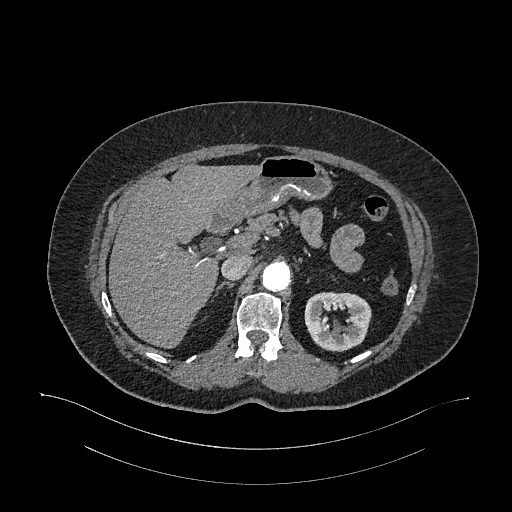
Abdominal CT with intravenous contrast, arterial phase, axial plane, 120 kVp, kernel I26f. Slice 738/987 from the bottom of the scan; thickness 1.00 mm; pixel size 0.977 mm.
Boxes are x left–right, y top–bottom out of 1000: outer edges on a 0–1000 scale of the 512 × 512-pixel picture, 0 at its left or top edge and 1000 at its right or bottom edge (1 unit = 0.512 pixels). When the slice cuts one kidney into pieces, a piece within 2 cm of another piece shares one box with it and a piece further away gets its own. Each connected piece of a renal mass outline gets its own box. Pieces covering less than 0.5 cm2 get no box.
Left kidney at x 594–727, y 570–688 out of 1000 (outlined area 3,046 px, about 29.0 cm2). No renal mass outline on this slice.